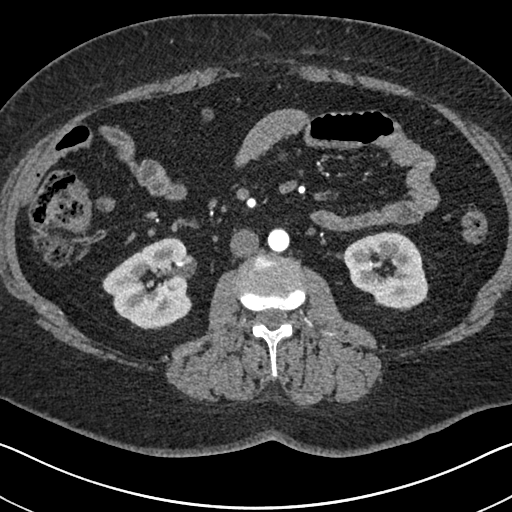
Abdominal CT with intravenous contrast, arterial phase, axial plane, 140 kVp, kernel I30f. Slice 352/591 from the bottom of the scan; thickness 1.00 mm; pixel size 0.703 mm.
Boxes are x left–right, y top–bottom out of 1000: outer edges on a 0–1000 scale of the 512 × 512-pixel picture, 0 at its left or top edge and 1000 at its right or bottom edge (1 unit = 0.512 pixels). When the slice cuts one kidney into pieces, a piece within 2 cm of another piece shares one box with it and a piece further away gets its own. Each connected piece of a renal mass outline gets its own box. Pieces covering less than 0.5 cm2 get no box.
Two kidney boxes on this slice; by box centre, from the image's left to its right: (1) Box x 199–377, y 463–645 out of 1000: right kidney (outlined area 5,775 px, about 28.6 cm2). (2) Left kidney at x 670–836, y 451–604 out of 1000 (outlined area 4,720 px, about 23.3 cm2). No renal mass outline on this slice.